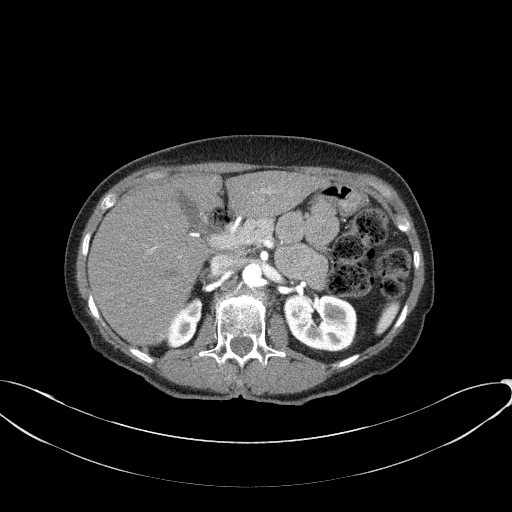
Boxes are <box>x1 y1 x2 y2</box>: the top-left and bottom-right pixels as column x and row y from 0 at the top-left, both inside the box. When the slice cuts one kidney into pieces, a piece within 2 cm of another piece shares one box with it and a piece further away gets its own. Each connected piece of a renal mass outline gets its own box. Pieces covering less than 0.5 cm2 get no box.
This is axial slice 42 of 77 (slice 1 is the lowest) of an arterial-phase abdominal CT with contrast; each pixel is 0.809 mm and the slice is 3.00 mm thick. Two kidney boxes on this slice; by box centre, from the image's left to its right: (1) Right kidney at <box>166 298 202 348</box> (outlined area 1,187 px, about 7.8 cm2). (2) Left kidney at <box>283 292 357 351</box> (outlined area 3,569 px, about 23.3 cm2). No renal mass outline on this slice.
Acquired at 100 kVp and reconstructed with the B41f kernel.